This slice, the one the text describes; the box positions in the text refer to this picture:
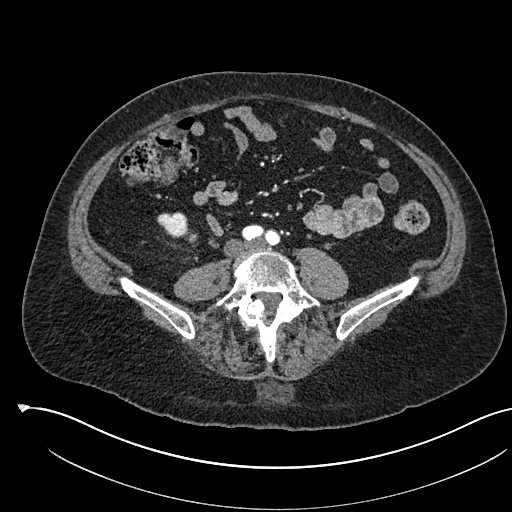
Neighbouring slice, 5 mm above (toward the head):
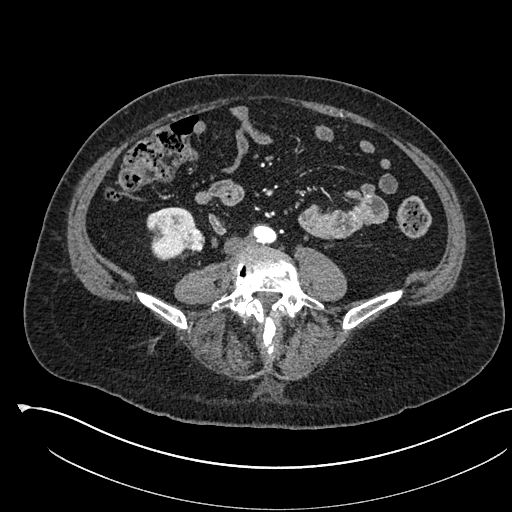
Axial slice 187 of 541 of a contrast-enhanced abdominal CT in the arterial phase (slice 1 is the lowest), 120 kVp, kernel I30f; 1.00 mm slice thickness and 0.834 mm pixels.
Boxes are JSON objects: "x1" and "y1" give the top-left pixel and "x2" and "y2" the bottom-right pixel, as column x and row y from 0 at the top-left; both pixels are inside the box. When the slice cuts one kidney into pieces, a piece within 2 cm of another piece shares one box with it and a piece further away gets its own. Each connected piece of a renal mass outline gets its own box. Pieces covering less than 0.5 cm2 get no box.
Boxed on this slice (one kidney box and one renal mass box), listed by box centre from the image's left to its right: (1) Right kidney at {"x1": 157, "y1": 212, "x2": 188, "y2": 237} (outlined area 605 px, about 4.2 cm2). (2) Right renal mass at {"x1": 183, "y1": 231, "x2": 197, "y2": 243} (outlined area 123 px, about 0.9 cm2). This slice is near the end of the right renal mass toward the feet, so the slice 5 mm above it is shown as well; the boxes refer to this slice only.